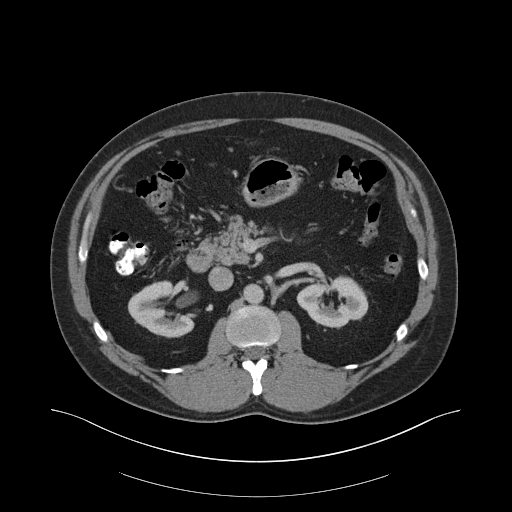
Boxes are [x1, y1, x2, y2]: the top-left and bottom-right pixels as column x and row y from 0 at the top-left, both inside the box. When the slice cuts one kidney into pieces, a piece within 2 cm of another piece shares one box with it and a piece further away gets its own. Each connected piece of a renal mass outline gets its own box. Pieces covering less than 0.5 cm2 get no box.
Arterial-phase contrast-enhanced abdominal CT, axial slice 112 of 159 (counted from the lowest slice); 3.00 mm thick, 0.977 mm per pixel. Two kidney boxes on this slice; by box centre, from the image's left to its right: (1) Right kidney at [128, 280, 194, 337] (outlined area 2,453 px, about 23.4 cm2). (2) Left kidney at [296, 275, 368, 327] (outlined area 2,577 px, about 24.6 cm2). This slice carries no renal mass outline.
Tube voltage 140 kVp; convolution kernel B30f.